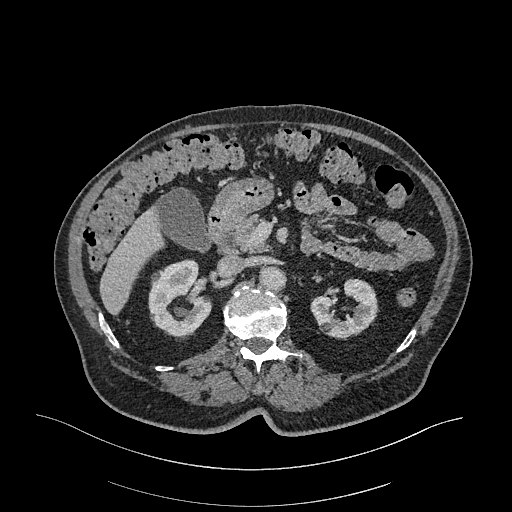
Axial slice 196 of 470 of a contrast-enhanced abdominal CT in the arterial phase (slice 1 is the lowest), 120 kVp, kernel I26f; 1.00 mm slice thickness and 0.938 mm pixels.
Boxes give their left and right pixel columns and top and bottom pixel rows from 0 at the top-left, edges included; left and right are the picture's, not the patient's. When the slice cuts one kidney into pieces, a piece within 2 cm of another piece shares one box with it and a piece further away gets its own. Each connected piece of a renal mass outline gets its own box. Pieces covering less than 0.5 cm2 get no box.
Two boxes on this slice (two kidney boxes), listed by box centre from the image's left to its right. (1) Right kidney in the box with left 148, top 259, right 212, bottom 336 (outlined area 3,596 px, about 31.6 cm2). (2) Box with left 310, top 278, right 377, bottom 339: left kidney (outlined area 2,645 px, about 23.2 cm2). This slice carries no renal mass outline.